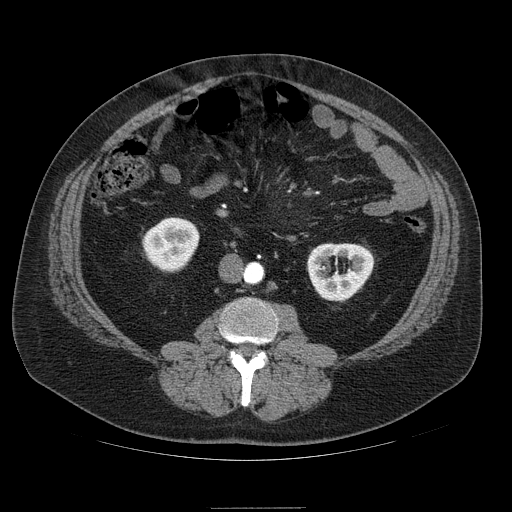
Arterial-phase contrast-enhanced abdominal CT, axial slice 32 of 121 (counted from the lowest slice); tube voltage 120 kVp, convolution kernel STANDARD; slices 2.50 mm thick, 0.861 mm per pixel.
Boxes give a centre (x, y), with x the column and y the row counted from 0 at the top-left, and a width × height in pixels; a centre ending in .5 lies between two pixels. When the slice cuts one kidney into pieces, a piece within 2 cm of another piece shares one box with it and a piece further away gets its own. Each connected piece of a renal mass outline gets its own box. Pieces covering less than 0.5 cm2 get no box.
Two boxes on this slice (two kidney boxes), listed by box centre from the image's left to its right. (1) Right kidney in a box with centre (170.5, 244), 58 × 55 pixels (outlined area 2,367 px, about 17.6 cm2). (2) Left kidney, box centre (340.5, 272), 68 × 59 pixels (outlined area 2,854 px, about 21.2 cm2). No renal mass outline on this slice.